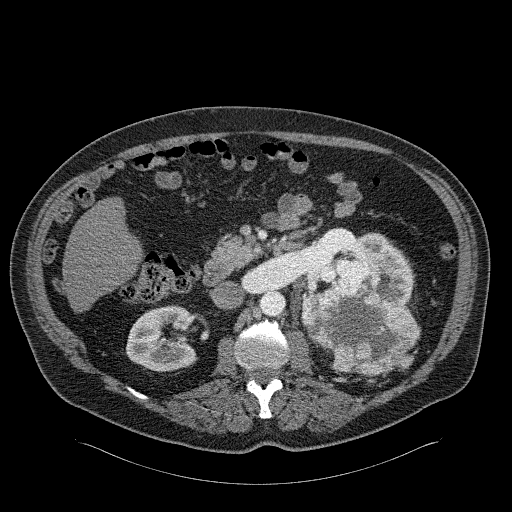
Abdominal CT with intravenous contrast, arterial phase, axial plane, 120 kVp, kernel B31f. Slice 128/326 from the bottom of the scan; thickness 2.00 mm; pixel size 0.963 mm.
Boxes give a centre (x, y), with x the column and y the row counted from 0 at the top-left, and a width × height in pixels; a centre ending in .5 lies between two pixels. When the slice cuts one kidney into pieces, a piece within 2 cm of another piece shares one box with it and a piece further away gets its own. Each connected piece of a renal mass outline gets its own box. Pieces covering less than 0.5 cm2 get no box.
Two kidney boxes and one renal mass box on this slice; by box centre, from the image's left to its right: (1) Box centre (160.5, 338), 70 × 67 pixels: right kidney (outlined area 3,612 px, about 33.5 cm2). (2) Left kidney, box centre (359, 268), 109 × 73 pixels (outlined area 3,196 px, about 29.6 cm2). (3) Left renal mass in a box with centre (360.5, 317), 120 × 119 pixels (outlined area 8,842 px, about 82.0 cm2).